Arterial-phase contrast-enhanced abdominal CT, axial slice 79 of 227 (counted from the lowest slice); tube voltage 120 kVp, convolution kernel I31f; slices 3.00 mm thick, 0.816 mm per pixel.
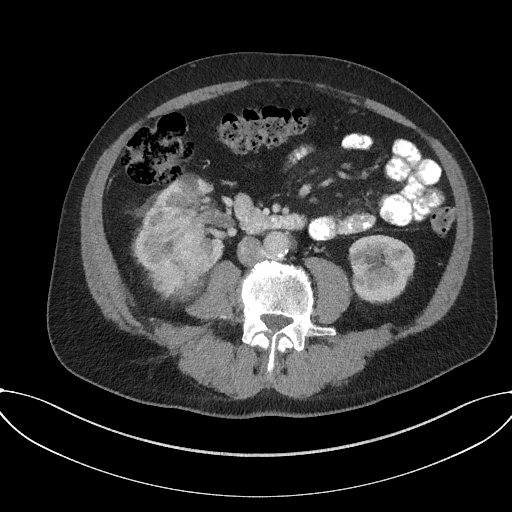
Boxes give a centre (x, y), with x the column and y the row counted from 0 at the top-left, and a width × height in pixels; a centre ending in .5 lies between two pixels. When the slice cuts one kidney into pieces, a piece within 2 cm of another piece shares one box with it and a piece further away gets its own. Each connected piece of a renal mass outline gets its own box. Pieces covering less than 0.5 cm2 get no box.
Two kidney boxes and one renal mass box on this slice; by box centre, from the image's left to its right: (1) Right renal mass, box centre (171, 251), 81 × 95 pixels (outlined area 5,734 px, about 38.2 cm2). (2) Right kidney, box centre (190.5, 220.5), 78 × 92 pixels (outlined area 2,248 px, about 15.0 cm2). (3) Left kidney, box centre (381.5, 268.5), 68 × 70 pixels (outlined area 3,660 px, about 24.4 cm2).